Abdominal CT with intravenous contrast, axial plane, 120 kVp, kernel I30f. Slice 99/197 from the bottom of the scan; thickness 5.00 mm; pixel size 0.791 mm.
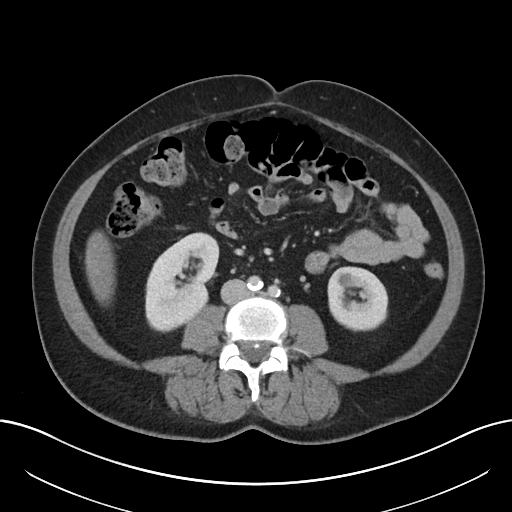
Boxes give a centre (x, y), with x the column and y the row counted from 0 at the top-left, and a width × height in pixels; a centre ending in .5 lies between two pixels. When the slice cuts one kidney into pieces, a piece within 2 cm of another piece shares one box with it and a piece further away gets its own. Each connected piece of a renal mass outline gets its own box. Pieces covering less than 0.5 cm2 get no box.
Boxed on this slice (two kidney boxes), listed by box centre from the image's left to its right: (1) Box centre (181.5, 282), 74 × 101 pixels: right kidney (outlined area 5,270 px, about 33.0 cm2). (2) Left kidney, box centre (357.5, 298.5), 62 × 66 pixels (outlined area 3,266 px, about 20.4 cm2). This slice carries no renal mass outline.